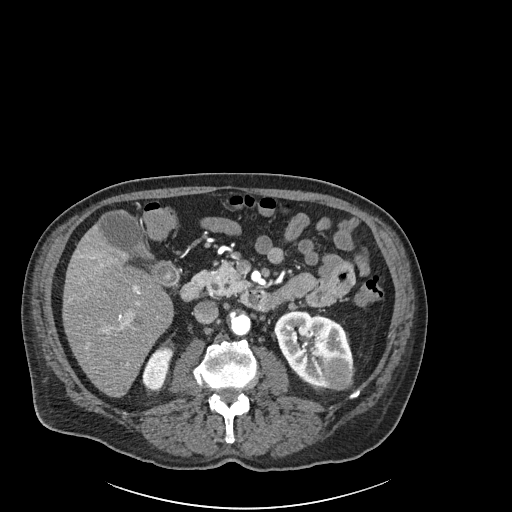
One axial slice (101 of 261, counting up from the lowest) of an arterial-phase abdominal CT acquired with 120 kVp, kernel I30f; each pixel is 0.939 mm and the slice is 2.00 mm thick.
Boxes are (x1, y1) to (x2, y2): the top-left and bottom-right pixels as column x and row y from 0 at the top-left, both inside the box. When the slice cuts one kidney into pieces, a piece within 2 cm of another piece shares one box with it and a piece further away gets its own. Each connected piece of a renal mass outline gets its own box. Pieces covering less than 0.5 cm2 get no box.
Two kidney boxes and one renal mass box on this slice; by box centre, from the image's left to its right: (1) Right kidney from (142, 346) to (173, 390) (outlined area 902 px, about 8.0 cm2). (2) Left kidney, box (274, 311) to (353, 388) (outlined area 3,835 px, about 33.8 cm2). (3) Left renal mass from (324, 356) to (351, 390) (outlined area 770 px, about 6.8 cm2).